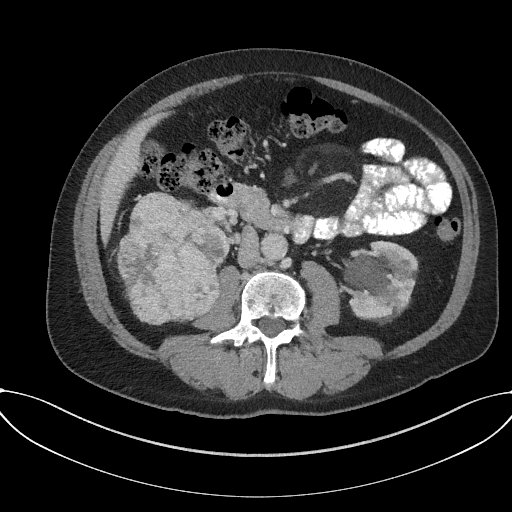
Abdominal CT with intravenous contrast, arterial phase, axial plane, 120 kVp, kernel I31f. Slice 87/227 from the bottom of the scan; thickness 3.00 mm; pixel size 0.816 mm.
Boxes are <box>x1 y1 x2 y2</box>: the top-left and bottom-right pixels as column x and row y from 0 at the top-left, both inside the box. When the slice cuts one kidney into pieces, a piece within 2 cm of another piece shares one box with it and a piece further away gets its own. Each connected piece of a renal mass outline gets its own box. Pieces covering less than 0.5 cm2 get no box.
Boxed on this slice (two kidney boxes and one renal mass box), listed by box centre from the image's left to its right: (1) Right renal mass: <box>117 192 222 324</box> (outlined area 10,768 px, about 71.8 cm2). (2) Right kidney: <box>215 231 229 267</box> (outlined area 344 px, about 2.3 cm2). (3) At <box>344 240 417 318</box>: left kidney (outlined area 4,344 px, about 29.0 cm2).